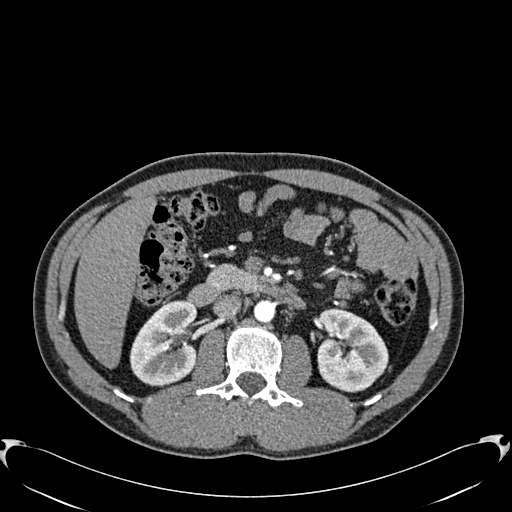
Axial slice 347 of 512 of a contrast-enhanced abdominal CT in the arterial phase (slice 1 is the lowest), 120 kVp, kernel B30f; 1.00 mm slice thickness and 0.771 mm pixels.
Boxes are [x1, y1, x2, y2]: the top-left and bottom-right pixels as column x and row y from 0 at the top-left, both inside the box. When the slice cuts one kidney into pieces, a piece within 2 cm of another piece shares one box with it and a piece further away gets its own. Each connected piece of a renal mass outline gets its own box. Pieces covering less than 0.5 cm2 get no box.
Two kidney boxes on this slice; by box centre, from the image's left to its right: (1) Box [130, 300, 197, 386]: right kidney (outlined area 4,490 px, about 26.7 cm2). (2) Left kidney, box [317, 308, 388, 392] (outlined area 4,653 px, about 27.7 cm2). This slice carries no renal mass outline.